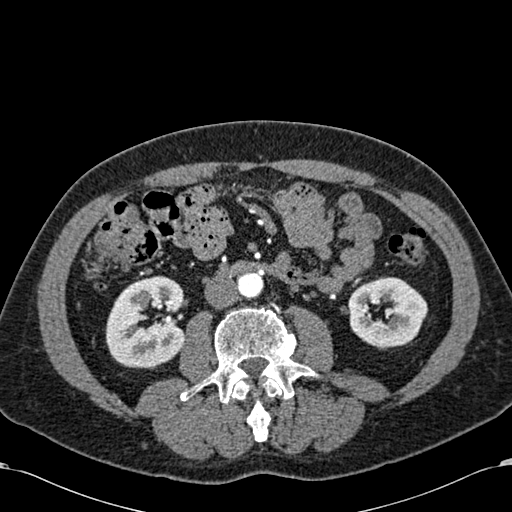
Abdominal CT with intravenous contrast, arterial phase, axial plane, 120 kVp, kernel B30f. Slice 283/581 from the bottom of the scan; thickness 1.00 mm; pixel size 0.713 mm.
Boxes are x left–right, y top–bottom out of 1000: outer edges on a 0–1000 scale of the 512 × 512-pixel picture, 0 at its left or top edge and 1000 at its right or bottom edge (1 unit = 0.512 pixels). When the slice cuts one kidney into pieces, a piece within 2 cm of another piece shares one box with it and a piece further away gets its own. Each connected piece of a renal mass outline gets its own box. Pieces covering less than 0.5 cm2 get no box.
Boxed on this slice (two kidney boxes), listed by box centre from the image's left to its right: (1) Box x 205–363, y 537–723 out of 1000: right kidney (outlined area 5,753 px, about 29.2 cm2). (2) Box x 678–838, y 541–684 out of 1000: left kidney (outlined area 4,249 px, about 21.6 cm2). This slice carries no renal mass outline.